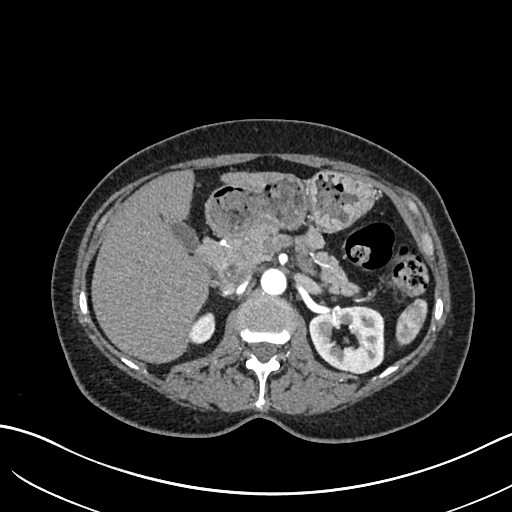
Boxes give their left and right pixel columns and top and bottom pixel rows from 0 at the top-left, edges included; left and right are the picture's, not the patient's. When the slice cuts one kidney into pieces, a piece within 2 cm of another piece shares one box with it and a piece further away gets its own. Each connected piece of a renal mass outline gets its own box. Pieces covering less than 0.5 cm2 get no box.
This is axial slice 418 of 683 (slice 1 is the lowest) of an arterial-phase abdominal CT with contrast; each pixel is 0.738 mm and the slice is 1.00 mm thick. Two boxes on this slice (two kidney boxes), listed by box centre from the image's left to its right. (1) Box with left 190, top 312, right 215, bottom 344: right kidney (outlined area 639 px, about 3.5 cm2). (2) Box with left 309, top 305, right 384, bottom 374: left kidney (outlined area 3,886 px, about 21.2 cm2). No renal mass is outlined on this slice.
Tube voltage 120 kVp; convolution kernel I30f.